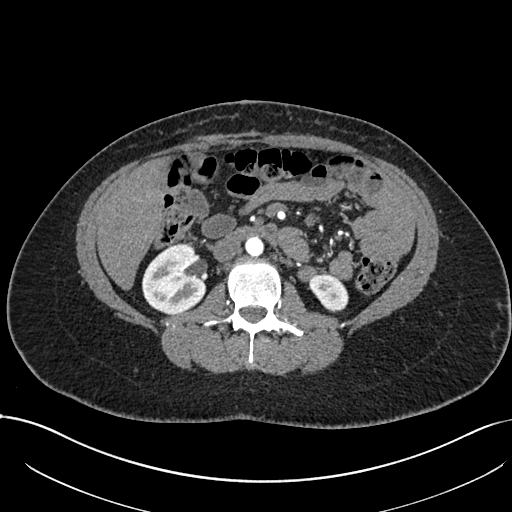
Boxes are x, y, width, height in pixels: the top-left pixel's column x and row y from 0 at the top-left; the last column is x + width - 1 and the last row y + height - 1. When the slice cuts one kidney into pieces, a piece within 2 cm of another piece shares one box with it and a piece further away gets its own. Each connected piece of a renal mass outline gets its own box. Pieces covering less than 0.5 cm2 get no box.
Arterial-phase contrast-enhanced abdominal CT, axial slice 394 of 738 (counted from the lowest slice); 1.00 mm thick, 0.789 mm per pixel. Two kidney boxes on this slice; by box centre, from the image's left to its right: (1) Right kidney at x 142, y 243, width 65, height 72 (outlined area 3,471 px, about 21.6 cm2). (2) Left kidney, box x 309, y 272, width 40, height 41 (outlined area 1,139 px, about 7.1 cm2). This slice carries no renal mass outline.
Scan settings: 120 kVp, I30f reconstruction kernel.